Abdominal CT with intravenous contrast, arterial phase, axial plane, 120 kVp, kernel B30f. Slice 332/581 from the bottom of the scan; thickness 1.00 mm; pixel size 0.713 mm.
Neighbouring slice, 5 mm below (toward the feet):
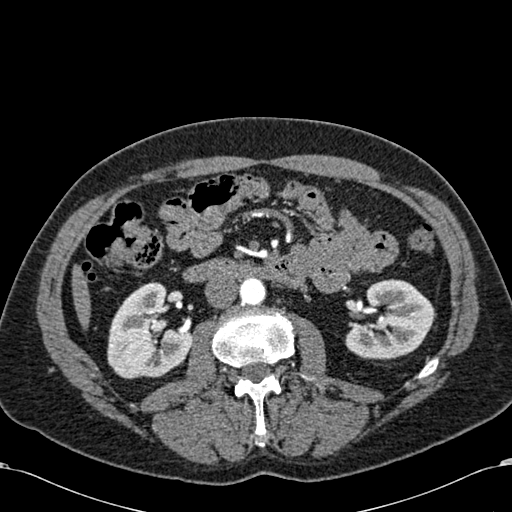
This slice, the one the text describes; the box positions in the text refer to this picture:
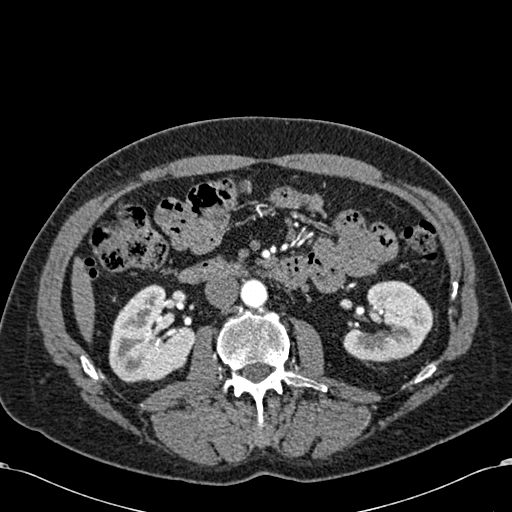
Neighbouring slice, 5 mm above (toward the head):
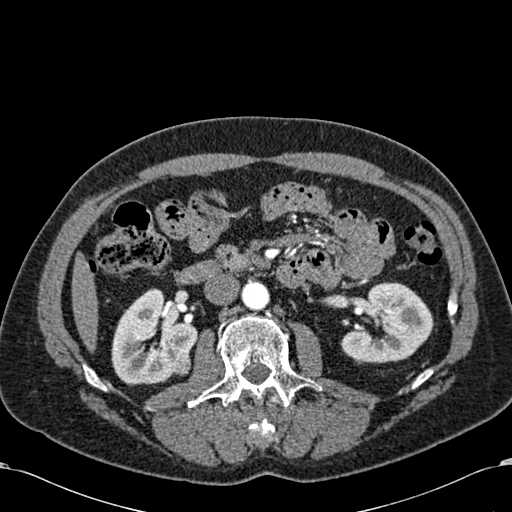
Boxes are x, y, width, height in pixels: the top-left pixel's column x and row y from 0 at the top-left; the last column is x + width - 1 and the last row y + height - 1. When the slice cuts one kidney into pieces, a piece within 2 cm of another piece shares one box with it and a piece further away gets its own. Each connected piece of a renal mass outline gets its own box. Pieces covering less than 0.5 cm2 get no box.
Three boxes on this slice (two kidney boxes and one renal mass box), listed by box centre from the image's left to its right. (1) Box x 108, y 284, width 87, height 98: right kidney (outlined area 5,893 px, about 29.9 cm2). (2) Box x 170, y 358, width 15, height 14: right renal mass (outlined area 136 px, about 0.7 cm2). (3) Left kidney at x 343, y 280, width 91, height 83 (outlined area 5,115 px, about 26.0 cm2). This slice is near the end of the right renal mass toward the feet, so the slices 5 mm below and 5 mm above it are shown as well; the boxes refer to this slice only.